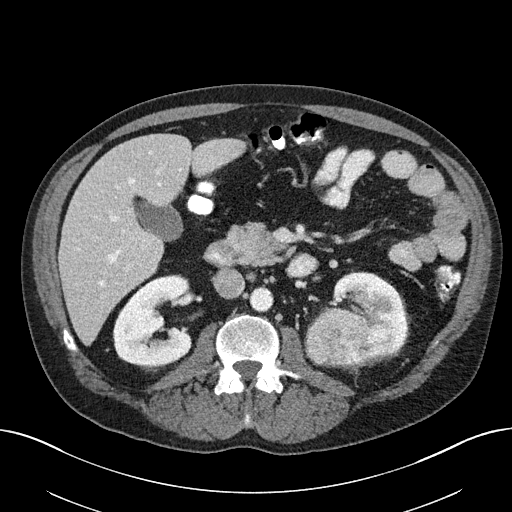
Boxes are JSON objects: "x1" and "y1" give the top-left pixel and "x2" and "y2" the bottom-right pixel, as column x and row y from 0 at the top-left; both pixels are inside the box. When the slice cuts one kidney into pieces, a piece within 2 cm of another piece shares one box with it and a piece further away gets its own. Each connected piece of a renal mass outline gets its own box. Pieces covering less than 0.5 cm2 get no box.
Slice 109/163 of a contrast-enhanced abdominal CT, counting up from the lowest; pixel size 0.799 mm, slice thickness 3.00 mm. Two kidney boxes and one renal mass box on this slice; by box centre, from the image's left to its right: (1) Box {"x1": 113, "y1": 275, "x2": 191, "y2": 368}: right kidney (outlined area 5,081 px, about 32.4 cm2). (2) Box {"x1": 303, "y1": 307, "x2": 368, "y2": 366}: left renal mass (outlined area 2,998 px, about 19.1 cm2). (3) Box {"x1": 322, "y1": 272, "x2": 408, "y2": 371}: left kidney (outlined area 4,421 px, about 28.2 cm2).
Acquired at 100 kVp and reconstructed with the I40f kernel.